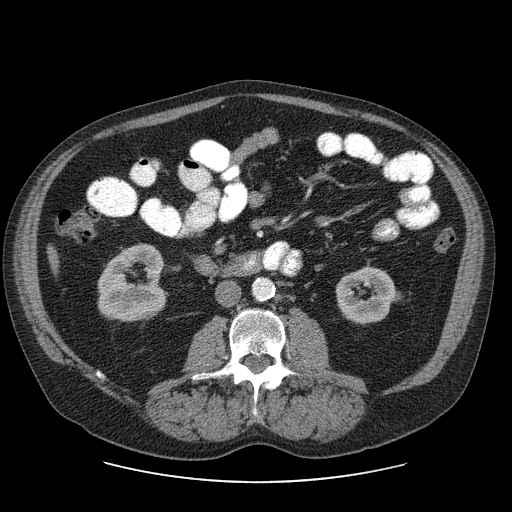
Axial slice 25 of 103 of a contrast-enhanced abdominal CT (slice 1 is the lowest), 120 kVp, kernel STANDARD; 2.50 mm slice thickness and 0.820 mm pixels.
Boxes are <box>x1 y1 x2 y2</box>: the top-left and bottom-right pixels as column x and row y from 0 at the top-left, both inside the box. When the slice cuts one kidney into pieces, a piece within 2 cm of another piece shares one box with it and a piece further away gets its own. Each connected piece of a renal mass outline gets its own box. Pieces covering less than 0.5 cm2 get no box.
Two kidney boxes on this slice; by box centre, from the image's left to its right: (1) Right kidney at <box>97 243 166 321</box> (outlined area 4,157 px, about 28.0 cm2). (2) At <box>335 266 400 323</box>: left kidney (outlined area 2,705 px, about 18.2 cm2). No renal mass is outlined on this slice.